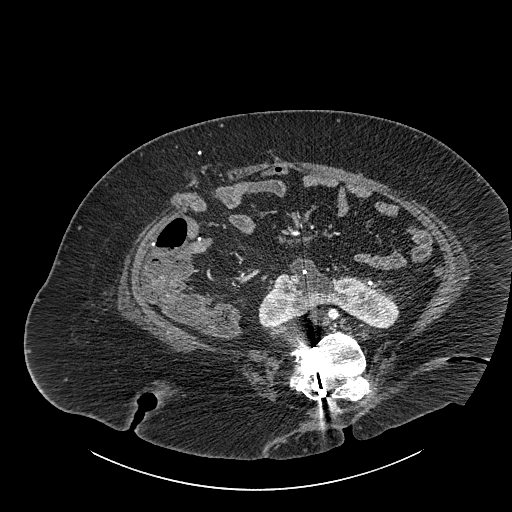
Contrast-enhanced abdominal CT, axial slice 456 of 834 (counted from the lowest slice); tube voltage 140 kVp, convolution kernel I30f; slices 1.00 mm thick, 0.977 mm per pixel.
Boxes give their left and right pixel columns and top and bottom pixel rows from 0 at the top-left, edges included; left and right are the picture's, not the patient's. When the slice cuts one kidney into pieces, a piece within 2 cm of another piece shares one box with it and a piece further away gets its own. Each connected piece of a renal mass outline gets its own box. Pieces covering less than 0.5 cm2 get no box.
Kidney crossing the body midline, the box with left 258, top 258, right 399, bottom 328 (outlined area 5,472 px, about 52.2 cm2). No renal mass outline on this slice.